One axial slice (127 of 206, counting up from the lowest) of a contrast-enhanced abdominal CT acquired with 120 kVp, kernel STANDARD; each pixel is 0.879 mm and the slice is 2.50 mm thick.
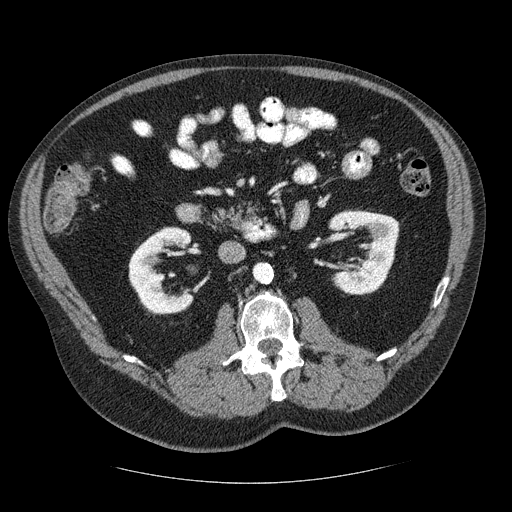
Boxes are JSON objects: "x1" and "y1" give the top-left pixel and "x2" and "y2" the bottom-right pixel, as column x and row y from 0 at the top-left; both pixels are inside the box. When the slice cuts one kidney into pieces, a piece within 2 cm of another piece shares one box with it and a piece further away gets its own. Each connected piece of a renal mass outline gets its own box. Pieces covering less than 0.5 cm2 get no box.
Two kidney boxes on this slice; by box centre, from the image's left to its right: (1) Right kidney, box {"x1": 128, "y1": 226, "x2": 194, "y2": 315} (outlined area 3,862 px, about 29.8 cm2). (2) Left kidney at {"x1": 328, "y1": 209, "x2": 399, "y2": 295} (outlined area 4,314 px, about 33.3 cm2). No renal mass outline on this slice.